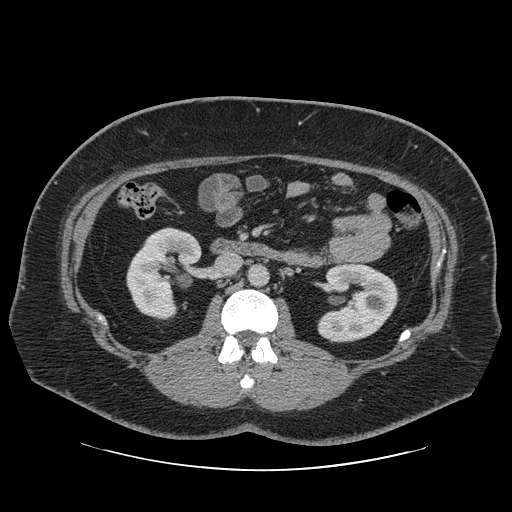
Axial slice 29 of 69 of a contrast-enhanced abdominal CT in the arterial phase (slice 1 is the lowest), 120 kVp, kernel STANDARD; 2.50 mm slice thickness and 0.846 mm pixels.
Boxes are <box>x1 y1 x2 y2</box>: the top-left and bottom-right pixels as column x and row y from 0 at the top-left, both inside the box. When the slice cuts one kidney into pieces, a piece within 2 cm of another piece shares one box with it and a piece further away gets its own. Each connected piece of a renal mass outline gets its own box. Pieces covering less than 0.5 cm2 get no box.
Boxed on this slice (two kidney boxes), listed by box centre from the image's left to its right: (1) Right kidney at <box>126 227 202 319</box> (outlined area 4,736 px, about 33.9 cm2). (2) Left kidney at <box>317 262 398 342</box> (outlined area 4,777 px, about 34.2 cm2). This slice carries no renal mass outline.